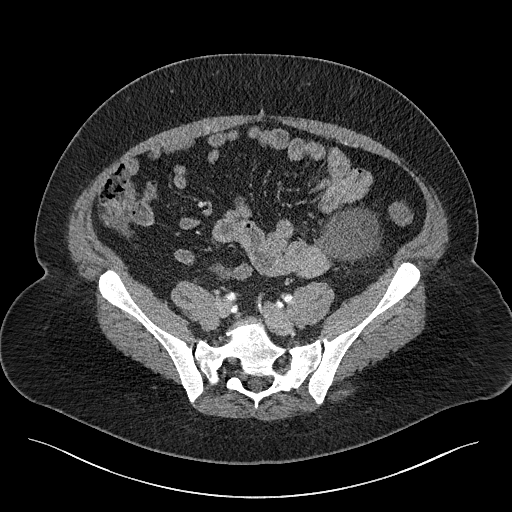
One axial slice (26 of 301, counting up from the lowest) of a contrast-enhanced abdominal CT acquired with 120 kVp, kernel I40f; each pixel is 0.859 mm and the slice is 2.00 mm thick.
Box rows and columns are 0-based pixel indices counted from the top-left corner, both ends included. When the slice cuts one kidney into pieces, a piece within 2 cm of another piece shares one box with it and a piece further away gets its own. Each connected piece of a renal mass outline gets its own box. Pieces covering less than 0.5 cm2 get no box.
Box rows 207–263, columns 318–380: left renal mass (outlined area 2,581 px, about 19.1 cm2); no kidney is outlined on this slice, but the same outlined renal mass comes within 1 cm of the kidney on another slice.